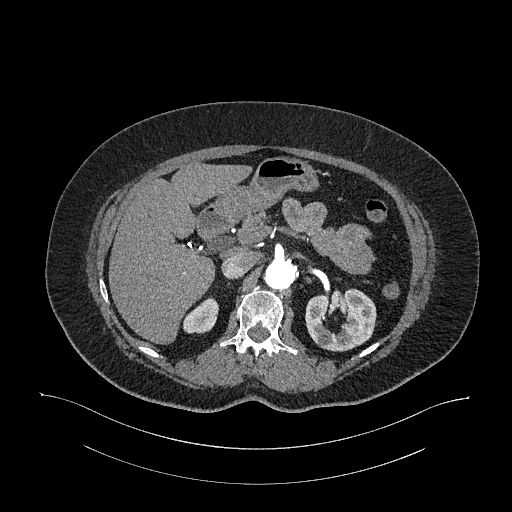
Axial slice 723 of 987 of a contrast-enhanced abdominal CT in the arterial phase (slice 1 is the lowest), 120 kVp, kernel I26f; 1.00 mm slice thickness and 0.977 mm pixels.
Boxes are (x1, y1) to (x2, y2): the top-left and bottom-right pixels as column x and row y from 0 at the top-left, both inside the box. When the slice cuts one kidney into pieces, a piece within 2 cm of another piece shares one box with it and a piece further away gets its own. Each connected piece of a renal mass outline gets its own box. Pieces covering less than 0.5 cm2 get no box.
Boxed on this slice (two kidney boxes), listed by box centre from the image's left to its right: (1) Right kidney, box (183, 297) to (218, 333) (outlined area 924 px, about 8.8 cm2). (2) Left kidney, box (305, 288) to (376, 351) (outlined area 3,336 px, about 31.8 cm2). This slice carries no renal mass outline.